Abdominal CT with intravenous contrast, arterial phase, axial plane, 120 kVp, kernel I30f. Slice 234/527 from the bottom of the scan; thickness 1.00 mm; pixel size 0.859 mm.
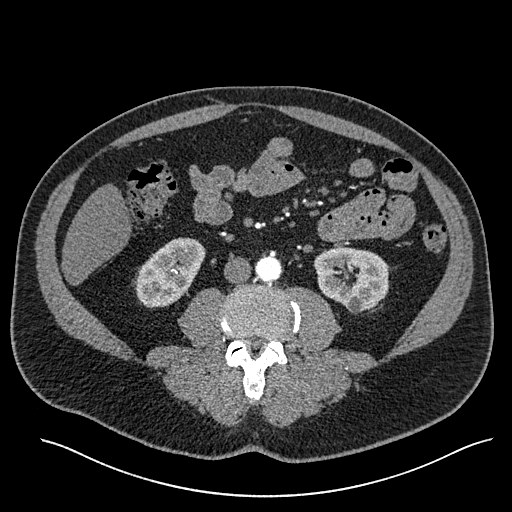
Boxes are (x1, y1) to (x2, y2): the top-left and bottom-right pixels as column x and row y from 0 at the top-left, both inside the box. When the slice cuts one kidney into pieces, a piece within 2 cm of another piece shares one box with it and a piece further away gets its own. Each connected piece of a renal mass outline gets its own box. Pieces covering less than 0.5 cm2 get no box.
Two boxes on this slice (two kidney boxes), listed by box centre from the image's left to its right. (1) Right kidney, box (135, 237) to (205, 307) (outlined area 3,345 px, about 24.7 cm2). (2) Left kidney from (313, 247) to (389, 314) (outlined area 3,799 px, about 28.1 cm2). No renal mass is outlined on this slice.